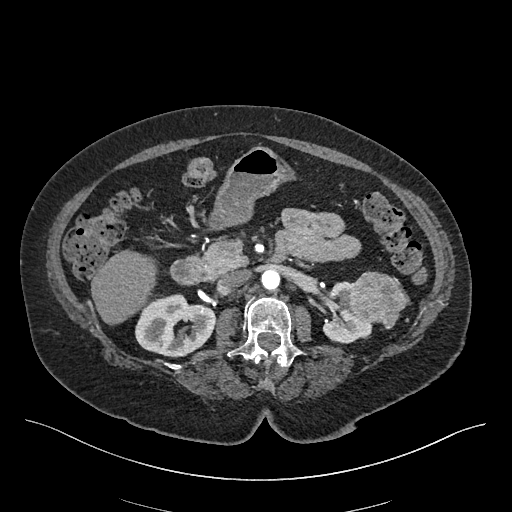
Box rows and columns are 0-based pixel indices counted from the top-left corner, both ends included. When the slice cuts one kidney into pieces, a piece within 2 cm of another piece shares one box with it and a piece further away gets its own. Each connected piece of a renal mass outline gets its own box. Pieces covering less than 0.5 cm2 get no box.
This is axial slice 262 of 548 (slice 1 is the lowest) of an arterial-phase abdominal CT with contrast; each pixel is 0.852 mm and the slice is 1.00 mm thick. Boxed on this slice (two kidney boxes and one renal mass box), listed by box centre from the image's left to its right: (1) Right kidney, box rows 294–357, columns 135–215 (outlined area 3,734 px, about 27.1 cm2). (2) Left kidney at rows 281–343, columns 322–373 (outlined area 1,779 px, about 12.9 cm2). (3) Box rows 271–328, columns 347–409: left renal mass (outlined area 2,549 px, about 18.5 cm2).
Scan settings: 120 kVp, I26f reconstruction kernel.